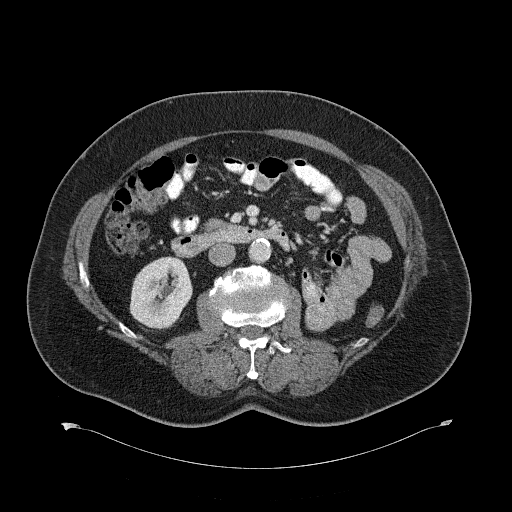
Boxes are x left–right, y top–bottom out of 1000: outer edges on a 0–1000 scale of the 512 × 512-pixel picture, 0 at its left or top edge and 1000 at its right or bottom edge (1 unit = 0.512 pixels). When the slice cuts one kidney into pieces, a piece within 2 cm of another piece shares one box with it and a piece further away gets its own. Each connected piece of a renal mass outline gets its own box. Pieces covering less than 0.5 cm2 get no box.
Slice 347/734 of a contrast-enhanced abdominal CT, counting up from the lowest; pixel size 0.971 mm, slice thickness 2.00 mm. Box x 252–377, y 502–645 out of 1000: right kidney (outlined area 3,510 px, about 33.1 cm2). No renal mass outline on this slice.
Scan settings: 120 kVp, B31f reconstruction kernel.